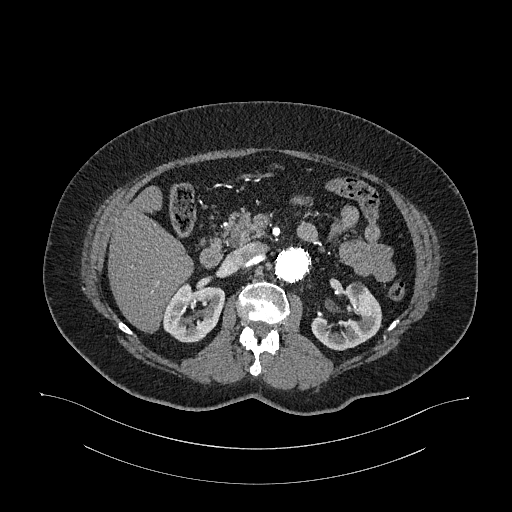
Axial slice 681 of 987 of a contrast-enhanced abdominal CT in the arterial phase (slice 1 is the lowest), 120 kVp, kernel I26f; 1.00 mm slice thickness and 0.977 mm pixels.
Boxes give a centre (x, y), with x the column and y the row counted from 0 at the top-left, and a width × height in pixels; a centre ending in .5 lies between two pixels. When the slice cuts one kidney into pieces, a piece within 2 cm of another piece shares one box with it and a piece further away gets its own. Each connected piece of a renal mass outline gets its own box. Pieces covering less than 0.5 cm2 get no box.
Boxed on this slice (two kidney boxes), listed by box centre from the image's left to its right: (1) Right kidney in a box with centre (193.5, 312), 64 × 61 pixels (outlined area 2,763 px, about 26.4 cm2). (2) Box centre (346.5, 316), 72 × 69 pixels: left kidney (outlined area 2,857 px, about 27.2 cm2). No renal mass outline on this slice.